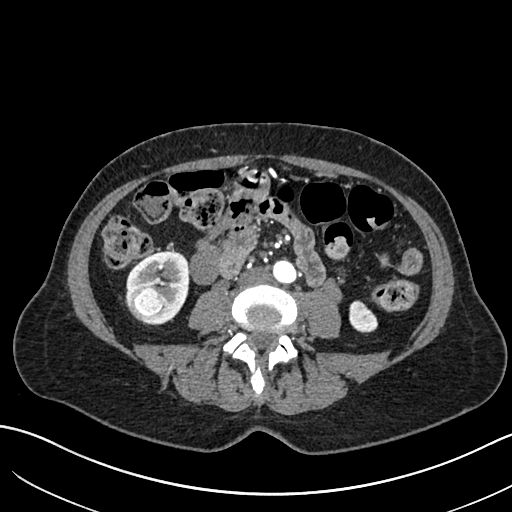
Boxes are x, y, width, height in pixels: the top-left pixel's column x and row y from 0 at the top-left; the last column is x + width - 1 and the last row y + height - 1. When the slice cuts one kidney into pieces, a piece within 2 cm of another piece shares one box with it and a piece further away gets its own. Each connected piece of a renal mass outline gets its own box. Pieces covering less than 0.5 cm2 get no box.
This is axial slice 284 of 683 (slice 1 is the lowest) of an arterial-phase abdominal CT with contrast; each pixel is 0.738 mm and the slice is 1.00 mm thick. Three boxes on this slice (two kidney boxes and one renal mass box), listed by box centre from the image's left to its right. (1) Box x 127, y 285, width 42, height 35: right renal mass (outlined area 1,126 px, about 6.1 cm2). (2) Box x 125, y 250, width 64, height 75: right kidney (outlined area 2,672 px, about 14.6 cm2). (3) Box x 349, y 300, width 29, height 33: left kidney (outlined area 712 px, about 3.9 cm2).
Acquired at 120 kVp and reconstructed with the I30f kernel.